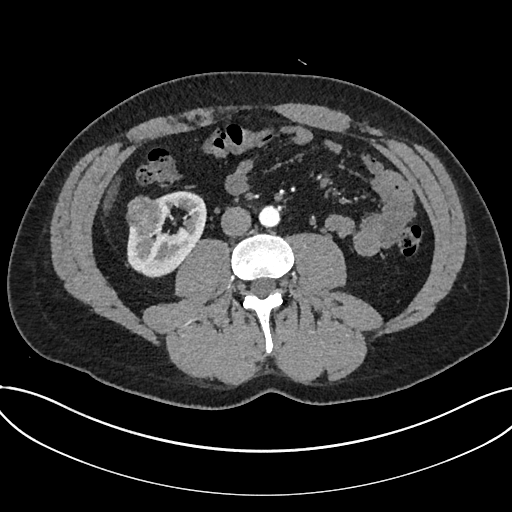
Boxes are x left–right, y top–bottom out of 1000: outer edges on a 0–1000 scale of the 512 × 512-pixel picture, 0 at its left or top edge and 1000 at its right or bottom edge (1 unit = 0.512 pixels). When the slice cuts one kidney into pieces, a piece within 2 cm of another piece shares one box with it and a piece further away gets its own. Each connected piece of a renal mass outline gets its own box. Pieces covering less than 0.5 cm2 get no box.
Arterial-phase contrast-enhanced abdominal CT, axial slice 329 of 735 (counted from the lowest slice); 1.00 mm thick, 0.789 mm per pixel. Two boxes on this slice (one kidney box and one renal mass box), listed by box centre from the image's left to its right. (1) Renal mass, box x 246–320, y 381–465 out of 1000 (outlined area 1,238 px, about 7.7 cm2). (2) Kidney at x 248–404, y 373–545 out of 1000 (outlined area 3,961 px, about 24.7 cm2).
Tube voltage 120 kVp; convolution kernel I30f.